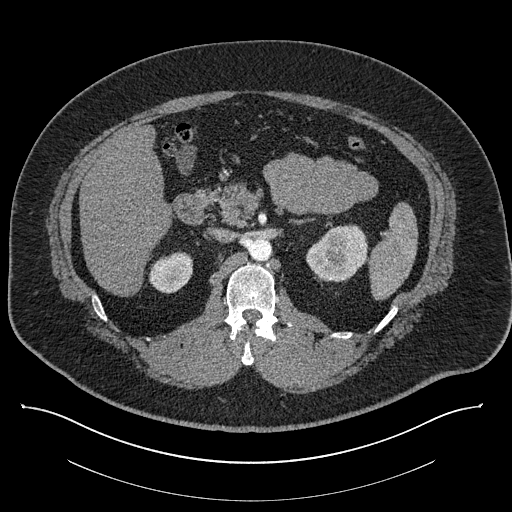
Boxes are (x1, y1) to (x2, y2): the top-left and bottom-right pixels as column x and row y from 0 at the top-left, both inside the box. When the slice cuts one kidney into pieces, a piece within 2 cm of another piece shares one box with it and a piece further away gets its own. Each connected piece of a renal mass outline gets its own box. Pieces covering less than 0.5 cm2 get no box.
Contrast-enhanced abdominal CT, axial slice 537 of 787 (counted from the lowest slice); 1.00 mm thick, 0.910 mm per pixel. Boxed on this slice (two kidney boxes), listed by box centre from the image's left to its right: (1) Right kidney, box (149, 251) to (192, 293) (outlined area 1,428 px, about 11.8 cm2). (2) Left kidney from (305, 224) to (369, 282) (outlined area 2,713 px, about 22.5 cm2). No renal mass outline on this slice.
Scan settings: 140 kVp, I30f reconstruction kernel.